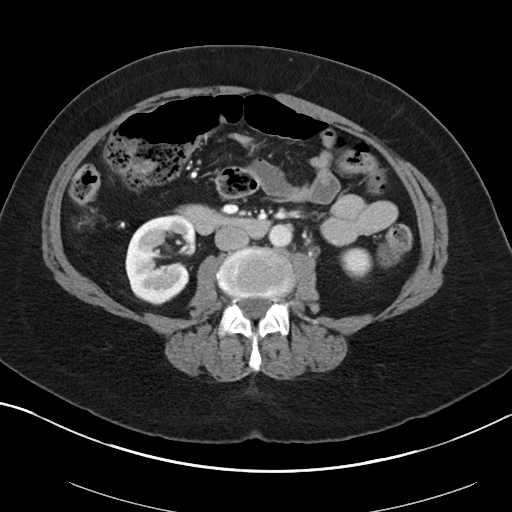
Abdominal CT with intravenous contrast, arterial phase, axial plane, 100 kVp, kernel I40f. Slice 49/88 from the bottom of the scan; thickness 5.00 mm; pixel size 0.705 mm.
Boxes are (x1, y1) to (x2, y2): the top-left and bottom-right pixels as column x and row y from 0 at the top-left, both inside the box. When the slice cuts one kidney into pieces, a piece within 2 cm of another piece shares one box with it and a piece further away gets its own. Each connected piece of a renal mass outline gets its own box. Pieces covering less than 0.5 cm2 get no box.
Two kidney boxes on this slice; by box centre, from the image's left to its right: (1) Box (125, 214) to (196, 305): right kidney (outlined area 4,646 px, about 23.1 cm2). (2) Left kidney, box (340, 247) to (372, 279) (outlined area 791 px, about 3.9 cm2). No renal mass outline on this slice.